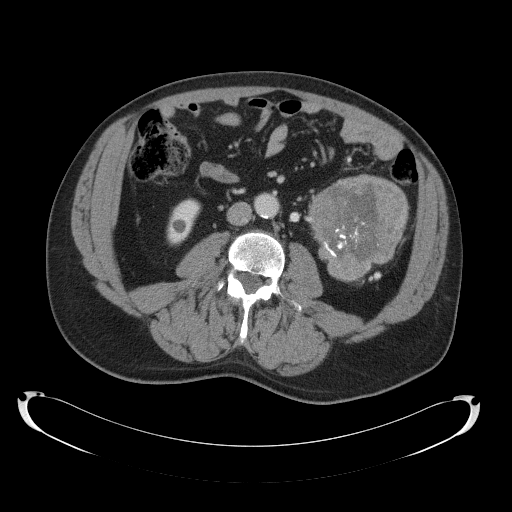
Abdominal CT with intravenous contrast, axial plane, 120 kVp, kernel B41f. Slice 59/145 from the bottom of the scan; thickness 5.00 mm; pixel size 0.859 mm.
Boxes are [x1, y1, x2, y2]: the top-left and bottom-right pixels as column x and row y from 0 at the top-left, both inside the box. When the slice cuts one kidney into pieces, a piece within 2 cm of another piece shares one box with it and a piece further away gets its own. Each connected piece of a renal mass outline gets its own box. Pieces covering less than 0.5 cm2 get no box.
Boxed on this slice (one kidney box and one renal mass box), listed by box centre from the image's left to its right: (1) Box [166, 198, 201, 245]: right kidney (outlined area 1,106 px, about 8.2 cm2). (2) Box [308, 174, 409, 282]: left renal mass (outlined area 8,077 px, about 59.7 cm2); it sits over 1 cm from every kidney outline on this slice, but the same outlined renal mass comes within 1 cm of the kidney on another slice.